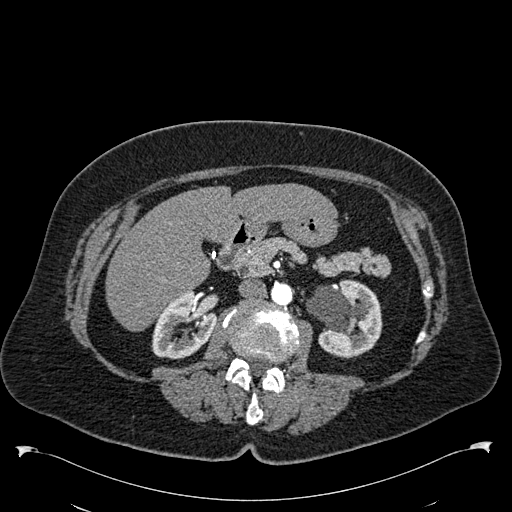
Axial slice 324 of 538 of a contrast-enhanced abdominal CT in the arterial phase (slice 1 is the lowest), 120 kVp, kernel B30f; 1.00 mm slice thickness and 0.811 mm pixels.
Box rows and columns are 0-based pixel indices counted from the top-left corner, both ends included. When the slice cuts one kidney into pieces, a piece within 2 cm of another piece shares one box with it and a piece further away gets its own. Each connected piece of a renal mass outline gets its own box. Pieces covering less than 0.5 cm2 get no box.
Two boxes on this slice (two kidney boxes), listed by box centre from the image's left to its right. (1) Right kidney, box rows 289–359, columns 151–217 (outlined area 3,015 px, about 19.8 cm2). (2) Left kidney, box rows 279–358, columns 306–382 (outlined area 4,385 px, about 28.8 cm2). No renal mass outline on this slice.